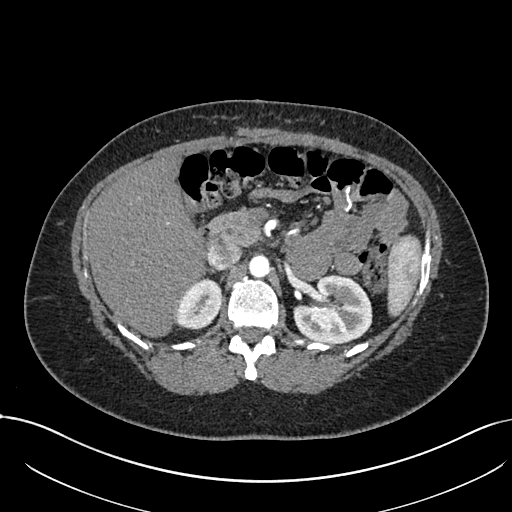
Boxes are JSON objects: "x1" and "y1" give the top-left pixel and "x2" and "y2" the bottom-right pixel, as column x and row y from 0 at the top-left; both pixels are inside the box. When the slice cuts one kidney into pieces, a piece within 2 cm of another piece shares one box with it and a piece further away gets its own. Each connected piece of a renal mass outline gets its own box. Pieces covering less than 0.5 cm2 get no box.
Slice 478/738 of a contrast-enhanced abdominal CT in the arterial phase, counting up from the lowest; pixel size 0.789 mm, slice thickness 1.00 mm. Two kidney boxes on this slice; by box centre, from the image's left to its right: (1) Box {"x1": 176, "y1": 278, "x2": 220, "y2": 330}: right kidney (outlined area 1,808 px, about 11.3 cm2). (2) Left kidney at {"x1": 293, "y1": 274, "x2": 372, "y2": 342} (outlined area 4,192 px, about 26.1 cm2). No renal mass is outlined on this slice.
Tube voltage 120 kVp; convolution kernel I30f.